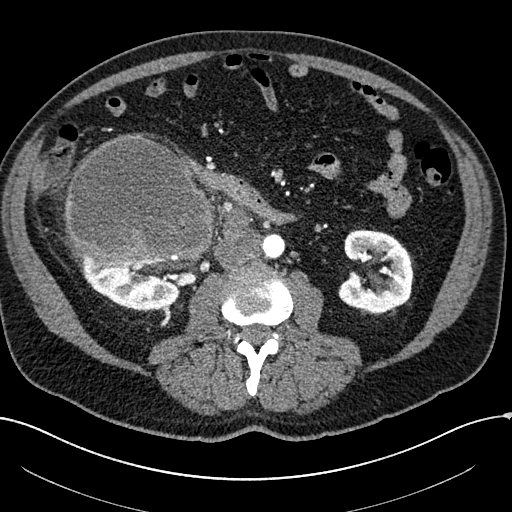
Abdominal CT with intravenous contrast, arterial phase, axial plane, 100 kVp, kernel I30f. Slice 84/304 from the bottom of the scan; thickness 2.00 mm; pixel size 0.809 mm.
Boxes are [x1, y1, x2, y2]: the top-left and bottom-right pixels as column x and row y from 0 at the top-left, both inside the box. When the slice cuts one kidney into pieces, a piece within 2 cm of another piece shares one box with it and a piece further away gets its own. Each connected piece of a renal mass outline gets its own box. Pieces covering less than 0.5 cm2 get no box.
Three boxes on this slice (two kidney boxes and one renal mass box), listed by box centre from the image's left to its right. (1) Right kidney at [81, 258, 180, 311] (outlined area 3,684 px, about 24.1 cm2). (2) Right renal mass at [64, 134, 213, 266] (outlined area 15,615 px, about 102.1 cm2). (3) Box [338, 229, 413, 315]: left kidney (outlined area 4,755 px, about 31.1 cm2).